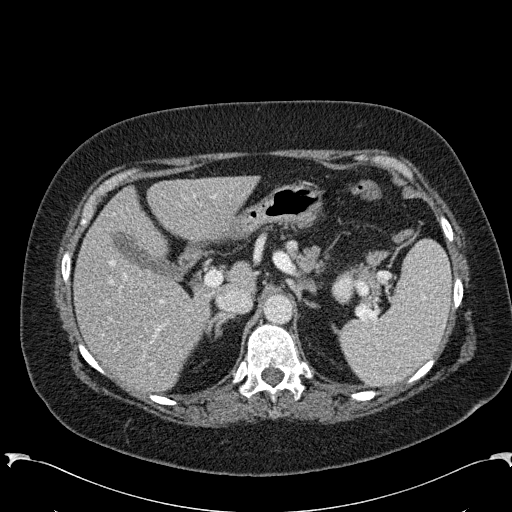
One axial slice (184 of 285, counting up from the lowest) of an arterial-phase abdominal CT acquired with 120 kVp, kernel B31f; each pixel is 0.762 mm and the slice is 2.00 mm thick.
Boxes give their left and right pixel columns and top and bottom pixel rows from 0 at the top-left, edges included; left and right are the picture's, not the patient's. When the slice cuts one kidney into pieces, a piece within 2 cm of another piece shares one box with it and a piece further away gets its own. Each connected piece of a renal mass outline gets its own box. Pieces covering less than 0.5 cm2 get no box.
Left kidney, the box with left 331, top 267, right 353, bottom 300 (outlined area 535 px, about 3.1 cm2). This slice carries no renal mass outline.